Arterial-phase contrast-enhanced abdominal CT, axial slice 411 of 705 (counted from the lowest slice); tube voltage 120 kVp, convolution kernel I30f; slices 1.00 mm thick, 0.703 mm per pixel.
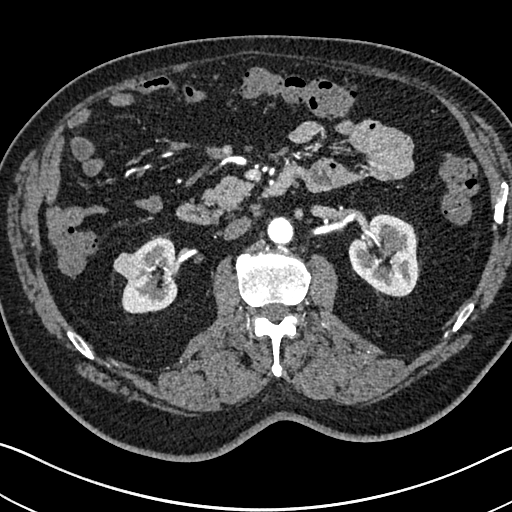
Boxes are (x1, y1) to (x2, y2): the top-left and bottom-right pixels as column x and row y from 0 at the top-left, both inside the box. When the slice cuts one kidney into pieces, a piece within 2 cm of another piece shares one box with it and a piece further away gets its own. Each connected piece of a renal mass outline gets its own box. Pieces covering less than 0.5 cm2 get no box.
Two kidney boxes and one renal mass box on this slice; by box centre, from the image's left to its right: (1) Right renal mass, box (113, 252) to (144, 279) (outlined area 627 px, about 3.1 cm2). (2) Right kidney from (121, 235) to (177, 313) (outlined area 3,037 px, about 15.0 cm2). (3) Left kidney, box (348, 213) to (420, 297) (outlined area 4,404 px, about 21.8 cm2).